Abdominal CT with intravenous contrast, arterial phase, axial plane, 140 kVp, kernel B30f. Slice 123/159 from the bottom of the scan; thickness 3.00 mm; pixel size 0.977 mm.
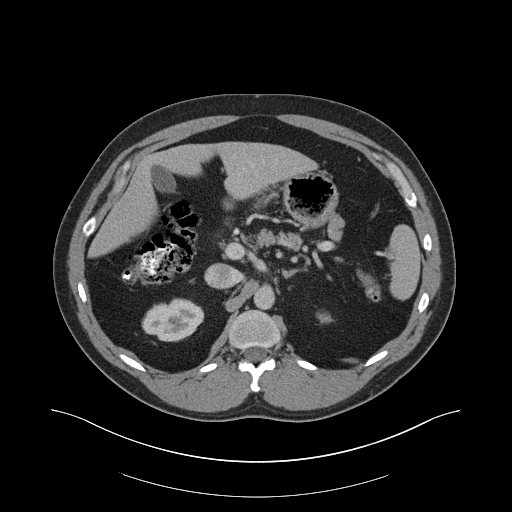
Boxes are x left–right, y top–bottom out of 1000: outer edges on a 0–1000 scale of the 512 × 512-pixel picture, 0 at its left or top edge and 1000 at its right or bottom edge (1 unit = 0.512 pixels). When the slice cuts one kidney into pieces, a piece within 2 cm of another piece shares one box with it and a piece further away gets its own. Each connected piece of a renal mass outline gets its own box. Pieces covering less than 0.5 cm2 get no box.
Two boxes on this slice (two kidney boxes), listed by box centre from the image's left to its right. (1) Right kidney, box x 275–400, y 582–668 out of 1000 (outlined area 1,997 px, about 19.0 cm2). (2) Left kidney, box x 617–645, y 609–627 out of 1000 (outlined area 98 px, about 0.9 cm2). No renal mass outline on this slice.